One axial slice (463 of 532, counting up from the lowest) of an arterial-phase abdominal CT acquired with 120 kVp, kernel B30f; each pixel is 0.713 mm and the slice is 1.00 mm thick.
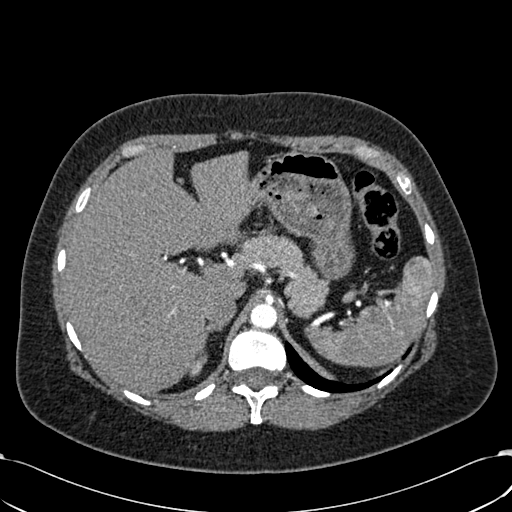
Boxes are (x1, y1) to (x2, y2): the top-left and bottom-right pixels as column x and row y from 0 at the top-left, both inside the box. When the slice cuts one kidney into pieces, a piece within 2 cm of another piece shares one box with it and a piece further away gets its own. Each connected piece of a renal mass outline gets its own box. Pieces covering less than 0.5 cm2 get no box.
Right kidney from (192, 353) to (206, 370) (outlined area 146 px, about 0.7 cm2). No renal mass outline on this slice.